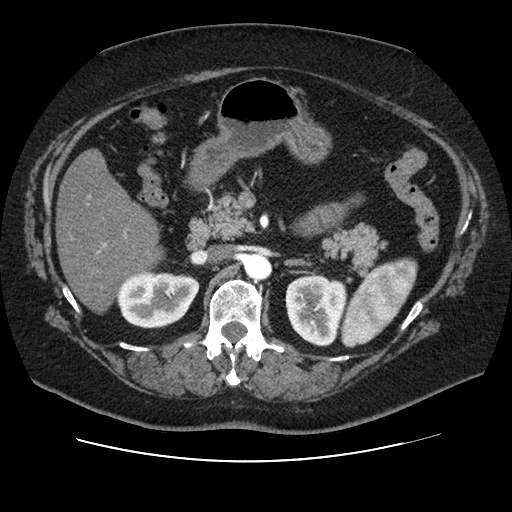
Axial slice 64 of 106 of a contrast-enhanced abdominal CT in the arterial phase (slice 1 is the lowest), 120 kVp, kernel STANDARD; 2.50 mm slice thickness and 0.742 mm pixels.
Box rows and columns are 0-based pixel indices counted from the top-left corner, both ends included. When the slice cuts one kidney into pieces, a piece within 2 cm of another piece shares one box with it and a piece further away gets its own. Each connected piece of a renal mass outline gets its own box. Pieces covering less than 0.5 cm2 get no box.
Two boxes on this slice (two kidney boxes), listed by box centre from the image's left to its right. (1) Box rows 272–328, columns 117–199: right kidney (outlined area 3,696 px, about 20.4 cm2). (2) Left kidney at rows 274–346, columns 285–347 (outlined area 3,540 px, about 19.5 cm2). This slice carries no renal mass outline.